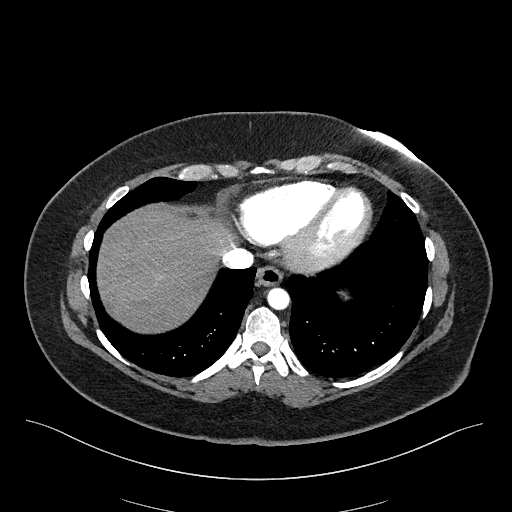
Abdominal CT with intravenous contrast, arterial phase, axial plane, 100 kVp, kernel I40f. Slice 229/270 from the bottom of the scan; thickness 2.00 mm; pixel size 0.855 mm.
Outside the outlined region: no kidney outline and no renal mass outline on this slice. The scan's outlines cover only kidneys and renal masses; no other organ is outlined.